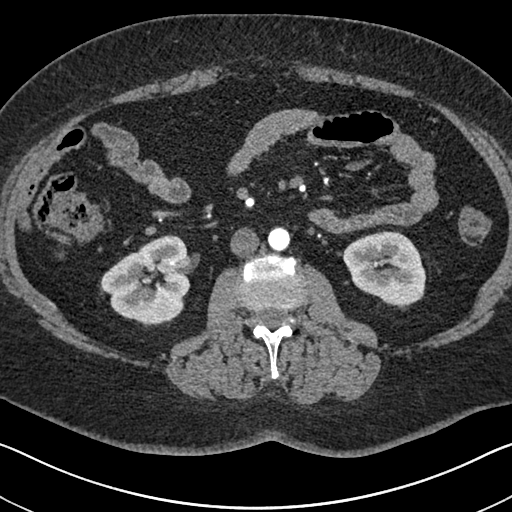
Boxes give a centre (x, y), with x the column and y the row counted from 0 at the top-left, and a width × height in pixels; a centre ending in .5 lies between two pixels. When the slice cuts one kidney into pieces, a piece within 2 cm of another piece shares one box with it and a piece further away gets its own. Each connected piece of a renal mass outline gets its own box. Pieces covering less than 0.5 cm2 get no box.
This is axial slice 345 of 591 (slice 1 is the lowest) of an arterial-phase abdominal CT with contrast; each pixel is 0.703 mm and the slice is 1.00 mm thick. Two kidney boxes on this slice; by box centre, from the image's left to its right: (1) Right kidney in a box with centre (145.5, 280), 92 × 93 pixels (outlined area 5,830 px, about 28.8 cm2). (2) Left kidney, box centre (384, 268), 85 × 75 pixels (outlined area 4,665 px, about 23.1 cm2). No renal mass is outlined on this slice.
Acquired at 140 kVp and reconstructed with the I30f kernel.